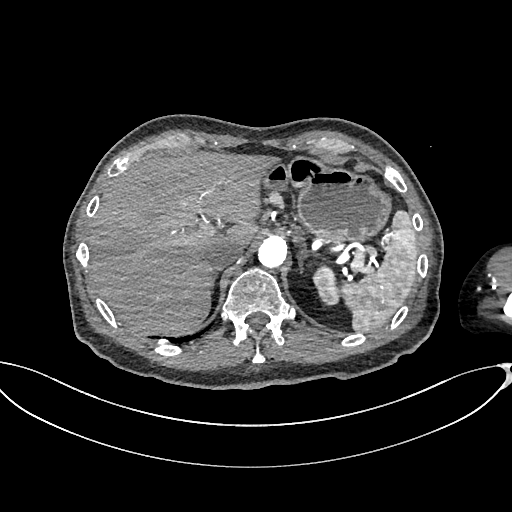
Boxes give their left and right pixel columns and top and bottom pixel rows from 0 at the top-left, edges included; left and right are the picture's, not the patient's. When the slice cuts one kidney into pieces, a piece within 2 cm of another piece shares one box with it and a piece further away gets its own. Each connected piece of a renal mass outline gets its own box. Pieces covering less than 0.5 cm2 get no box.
Arterial-phase contrast-enhanced abdominal CT, axial slice 516 of 665 (counted from the lowest slice); 1.00 mm thick, 0.828 mm per pixel. Box with left 312, top 263, right 340, bottom 305: left kidney (outlined area 830 px, about 5.7 cm2). No renal mass outline on this slice.
Scan settings: 100 kVp, I26f reconstruction kernel.